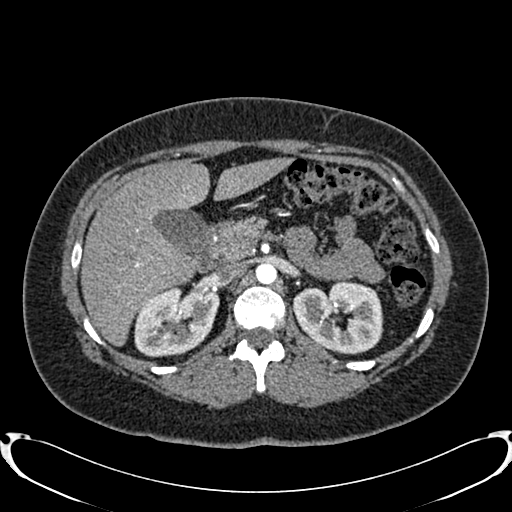
One axial slice (527 of 719, counting up from the lowest) of an arterial-phase abdominal CT acquired with 120 kVp, kernel B20f; each pixel is 0.766 mm and the slice is 1.00 mm thick.
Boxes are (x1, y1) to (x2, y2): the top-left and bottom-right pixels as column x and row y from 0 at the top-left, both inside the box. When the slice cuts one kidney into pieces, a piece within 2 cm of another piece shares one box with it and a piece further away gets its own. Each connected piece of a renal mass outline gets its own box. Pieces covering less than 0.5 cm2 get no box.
Two kidney boxes on this slice; by box centre, from the image's left to its right: (1) Box (134, 285) to (218, 356): right kidney (outlined area 4,659 px, about 27.3 cm2). (2) Left kidney from (292, 279) to (383, 354) (outlined area 5,073 px, about 29.7 cm2). No renal mass outline on this slice.